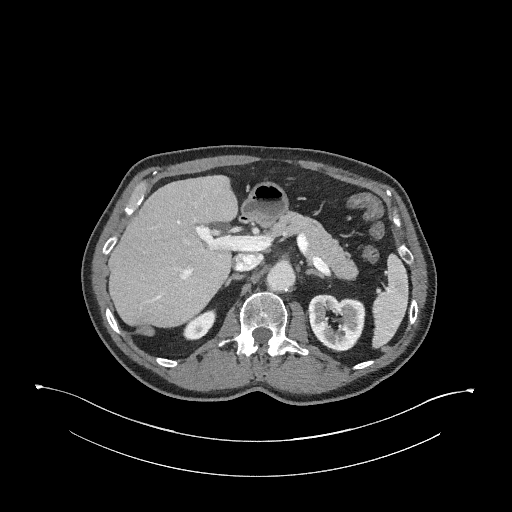
Abdominal CT with intravenous contrast, arterial phase, axial plane, 120 kVp, kernel I31f. Slice 173/345 from the bottom of the scan; thickness 2.00 mm; pixel size 0.977 mm.
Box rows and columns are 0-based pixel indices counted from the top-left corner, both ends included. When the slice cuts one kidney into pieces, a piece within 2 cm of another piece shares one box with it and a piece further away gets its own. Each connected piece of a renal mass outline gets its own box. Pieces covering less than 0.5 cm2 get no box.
Boxed on this slice (two kidney boxes), listed by box centre from the image's left to its right: (1) Right kidney at rows 309–340, columns 182–216 (outlined area 690 px, about 6.6 cm2). (2) Left kidney at rows 294–352, columns 306–365 (outlined area 2,584 px, about 24.6 cm2). No renal mass is outlined on this slice.